Abdominal CT with intravenous contrast, arterial phase, axial plane, 120 kVp, kernel I30f. Slice 480/612 from the bottom of the scan; thickness 1.00 mm; pixel size 0.703 mm.
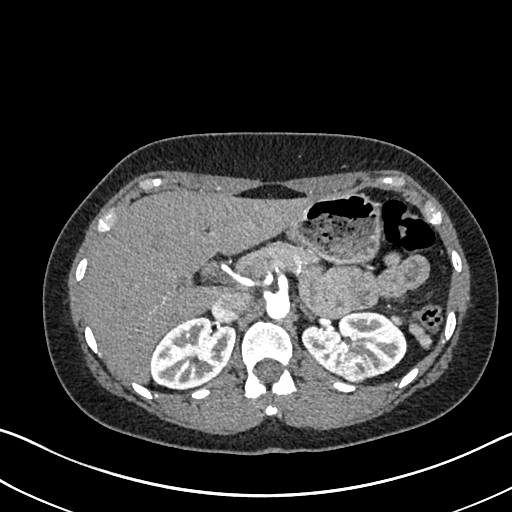
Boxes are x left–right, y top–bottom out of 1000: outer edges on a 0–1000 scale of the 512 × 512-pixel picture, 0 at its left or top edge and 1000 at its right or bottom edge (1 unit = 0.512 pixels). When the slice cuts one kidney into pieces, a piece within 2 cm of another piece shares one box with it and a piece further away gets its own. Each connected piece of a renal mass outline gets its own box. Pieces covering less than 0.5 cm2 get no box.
Three boxes on this slice (two kidney boxes and one renal mass box), listed by box centre from the image's left to its right. (1) Right kidney, box x 293–461, y 617–762 out of 1000 (outlined area 4,622 px, about 22.9 cm2). (2) Left kidney at x 588–795, y 607–744 out of 1000 (outlined area 4,752 px, about 23.5 cm2). (3) Box x 666–721, y 691–746 out of 1000: left renal mass (outlined area 638 px, about 3.2 cm2).